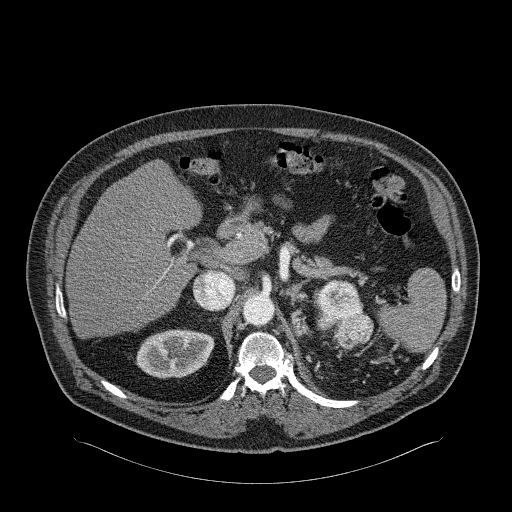
One axial slice (180 of 326, counting up from the lowest) of an arterial-phase abdominal CT acquired with 120 kVp, kernel B31f; each pixel is 0.963 mm and the slice is 2.00 mm thick.
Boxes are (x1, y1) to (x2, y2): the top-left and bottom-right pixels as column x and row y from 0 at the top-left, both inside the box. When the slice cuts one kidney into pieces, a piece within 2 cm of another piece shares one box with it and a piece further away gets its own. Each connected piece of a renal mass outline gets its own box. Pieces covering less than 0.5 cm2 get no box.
One kidney box and one renal mass box on this slice; by box centre, from the image's left to its right: (1) Right kidney from (135, 328) to (214, 378) (outlined area 3,044 px, about 28.2 cm2). (2) Box (315, 279) to (373, 349): left renal mass (outlined area 2,758 px, about 25.6 cm2); on this slice it lies more than 1 cm from any kidney outline, but the same outlined renal mass comes within 1 cm of the kidney on another slice.